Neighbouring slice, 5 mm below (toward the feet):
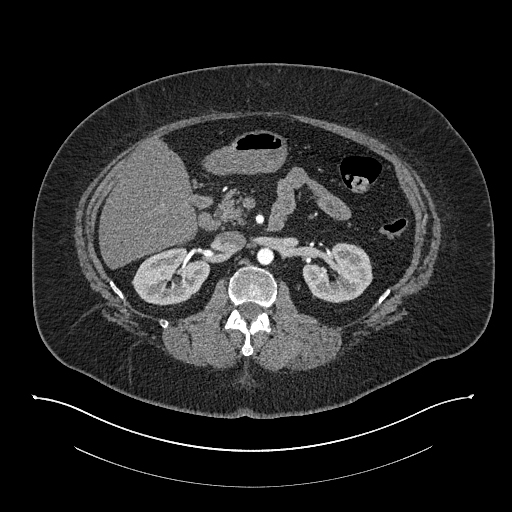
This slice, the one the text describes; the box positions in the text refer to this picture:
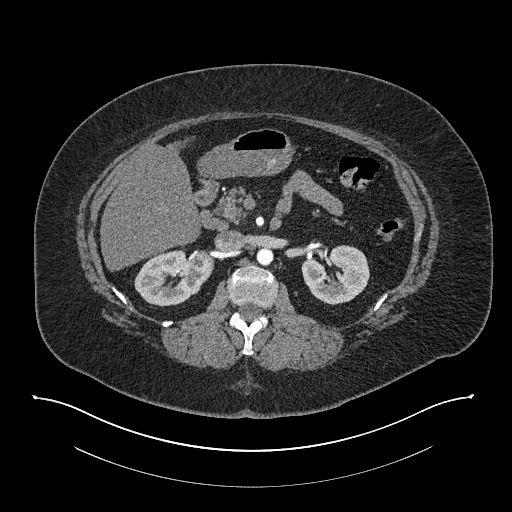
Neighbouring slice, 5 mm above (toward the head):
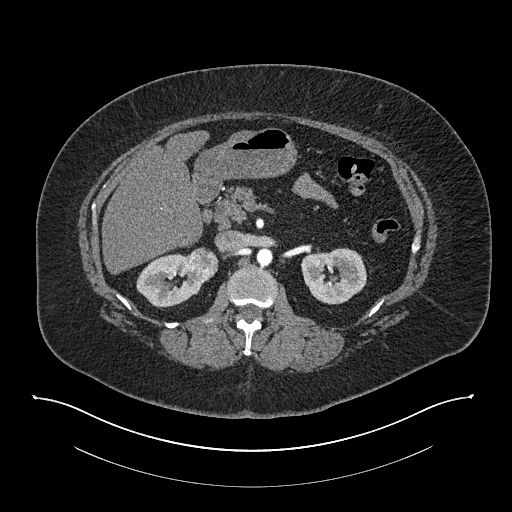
Arterial-phase contrast-enhanced abdominal CT, axial slice 494 of 673 (counted from the lowest slice); tube voltage 140 kVp, convolution kernel I30f; slices 1.00 mm thick, 0.957 mm per pixel.
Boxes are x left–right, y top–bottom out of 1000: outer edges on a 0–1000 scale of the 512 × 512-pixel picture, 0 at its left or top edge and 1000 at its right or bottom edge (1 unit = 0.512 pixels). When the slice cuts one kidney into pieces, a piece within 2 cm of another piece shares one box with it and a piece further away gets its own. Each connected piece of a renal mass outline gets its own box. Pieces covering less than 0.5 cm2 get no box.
Boxed on this slice (two kidney boxes and one renal mass box), listed by box centre from the image's left to its right: (1) Box x 262–418, y 484–600 out of 1000: right kidney (outlined area 3,023 px, about 27.7 cm2). (2) Box x 373–418, y 490–525 out of 1000: right renal mass (outlined area 316 px, about 2.9 cm2). (3) Left kidney at x 588–723, y 479–596 out of 1000 (outlined area 3,028 px, about 27.7 cm2). This slice lies near the end of the right renal mass toward the feet; the slices 5 mm below and 5 mm above it are shown too, and the boxes mark positions on this slice only.